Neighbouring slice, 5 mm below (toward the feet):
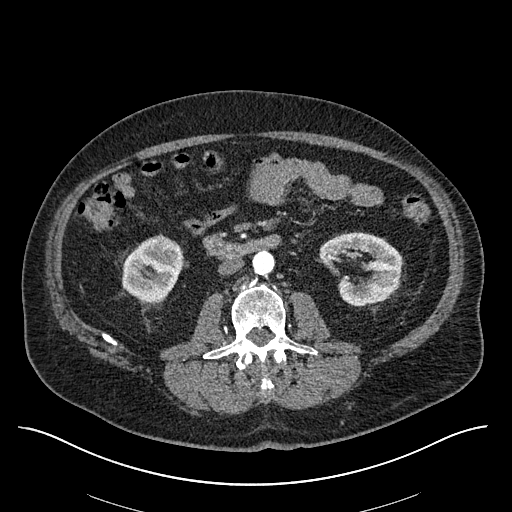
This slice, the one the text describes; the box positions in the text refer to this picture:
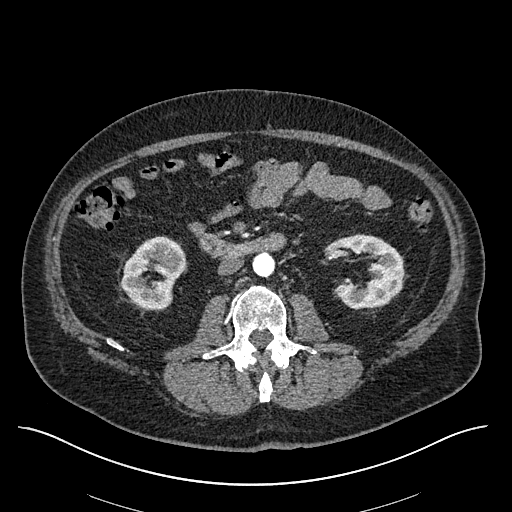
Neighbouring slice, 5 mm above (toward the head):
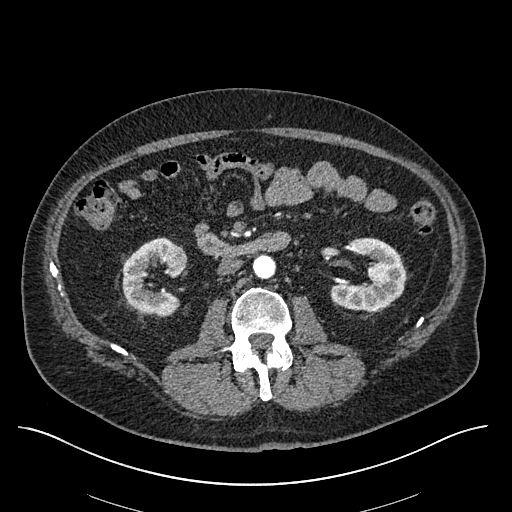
Axial slice 292 of 670 of a contrast-enhanced abdominal CT in the arterial phase (slice 1 is the lowest), 120 kVp, kernel I30f; 1.00 mm slice thickness and 0.861 mm pixels.
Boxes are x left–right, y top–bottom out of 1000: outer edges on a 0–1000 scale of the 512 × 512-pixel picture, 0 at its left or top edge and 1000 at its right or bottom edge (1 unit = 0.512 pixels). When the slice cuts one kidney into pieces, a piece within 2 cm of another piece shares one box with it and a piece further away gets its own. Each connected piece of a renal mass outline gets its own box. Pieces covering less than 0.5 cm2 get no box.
Three boxes on this slice (two kidney boxes and one renal mass box), listed by box centre from the image's left to its right. (1) Right kidney at x 236–365, y 461–607 out of 1000 (outlined area 3,288 px, about 24.4 cm2). (2) Box x 324–352, y 486–512 out of 1000: right renal mass (outlined area 146 px, about 1.1 cm2). (3) Box x 648–789, y 457–605 out of 1000: left kidney (outlined area 3,689 px, about 27.4 cm2). This slice is near the end of the right renal mass toward the feet, so the slices 5 mm below and 5 mm above it are shown as well; the boxes refer to this slice only.